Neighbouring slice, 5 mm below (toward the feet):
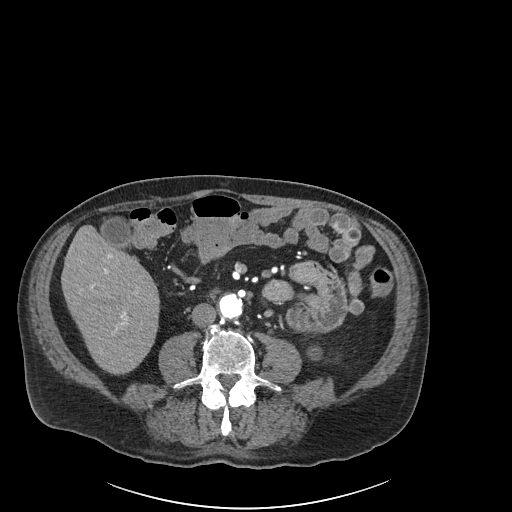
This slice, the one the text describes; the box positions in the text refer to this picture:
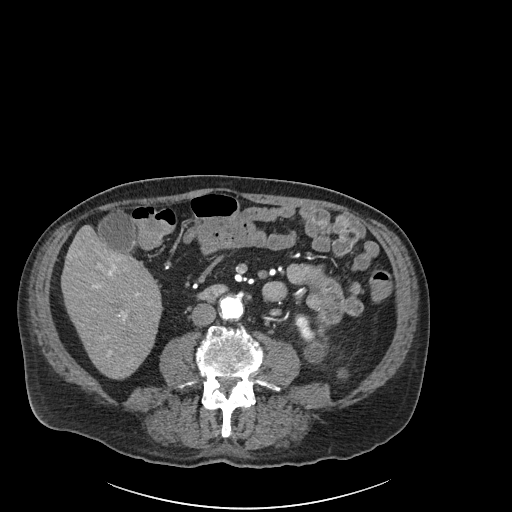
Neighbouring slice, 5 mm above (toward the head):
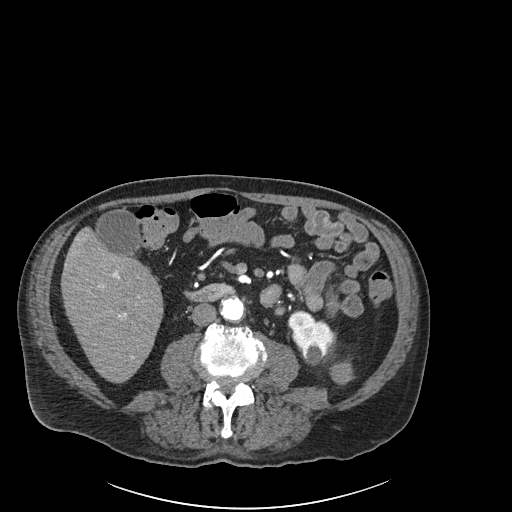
One axial slice (64 of 261, counting up from the lowest) of an arterial-phase abdominal CT acquired with 120 kVp, kernel I30f; each pixel is 0.939 mm and the slice is 2.00 mm thick.
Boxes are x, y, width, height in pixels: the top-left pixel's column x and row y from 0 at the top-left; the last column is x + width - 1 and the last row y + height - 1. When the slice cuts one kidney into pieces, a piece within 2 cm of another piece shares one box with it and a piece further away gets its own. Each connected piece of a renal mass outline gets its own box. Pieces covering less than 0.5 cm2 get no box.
One kidney box and one renal mass box on this slice; by box centre, from the image's left to its right: (1) Left kidney, box x 297, y 319, width 31, height 45 (outlined area 849 px, about 7.5 cm2). (2) Left renal mass, box x 337, y 368, width 11, height 11 (outlined area 102 px, about 0.9 cm2); on this slice it lies more than 1 cm from any kidney outline, but the same outlined renal mass comes within 1 cm of the kidney on another slice. This slice is near the end of the left renal mass toward the feet, so the slices 5 mm below and 5 mm above it are shown as well; the boxes refer to this slice only.